Contrast-enhanced abdominal CT, axial slice 41 of 48 (counted from the lowest slice); tube voltage 120 kVp, convolution kernel B30f; slices 5.00 mm thick, 0.736 mm per pixel.
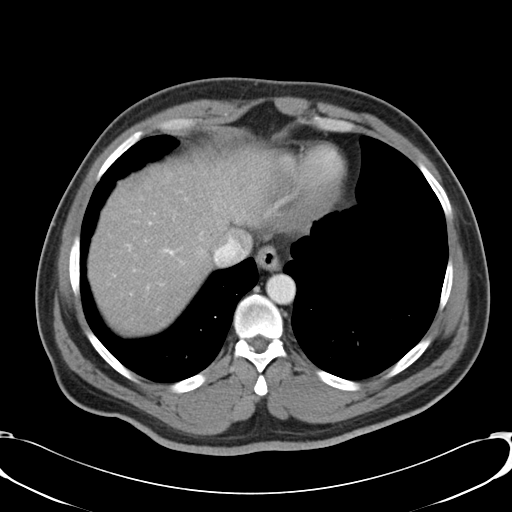
Neither a kidney nor a renal mass is outlined here. Only kidneys and renal masses are outlined anywhere in this scan; other structures are never outlined.